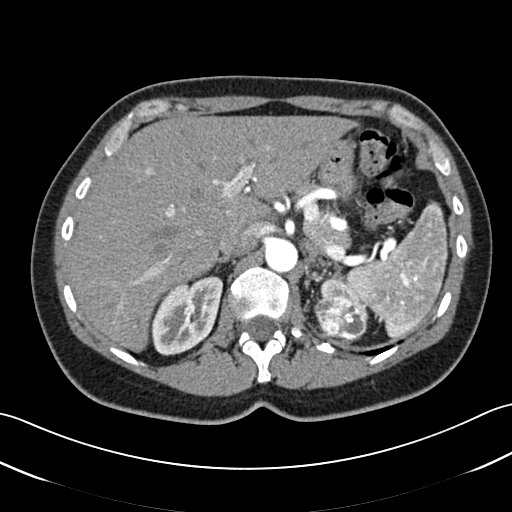
Arterial-phase contrast-enhanced abdominal CT, axial slice 38 of 52 (counted from the lowest slice); tube voltage 120 kVp, convolution kernel B30f; slices 3.00 mm thick, 0.678 mm per pixel.
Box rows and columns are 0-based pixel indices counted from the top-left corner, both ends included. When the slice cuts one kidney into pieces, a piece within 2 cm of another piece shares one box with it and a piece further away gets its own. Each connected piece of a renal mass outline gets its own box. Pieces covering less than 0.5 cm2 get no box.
Two kidney boxes and one renal mass box on this slice; by box centre, from the image's left to its right: (1) Box rows 275–355, columns 150–222: right kidney (outlined area 4,030 px, about 18.5 cm2). (2) Box rows 296–339, columns 314–366: left renal mass (outlined area 1,724 px, about 7.9 cm2). (3) Box rows 278–323, columns 320–368: left kidney (outlined area 718 px, about 3.3 cm2).